Arterial-phase contrast-enhanced abdominal CT, axial slice 273 of 548 (counted from the lowest slice); tube voltage 120 kVp, convolution kernel I26f; slices 1.00 mm thick, 0.852 mm per pixel.
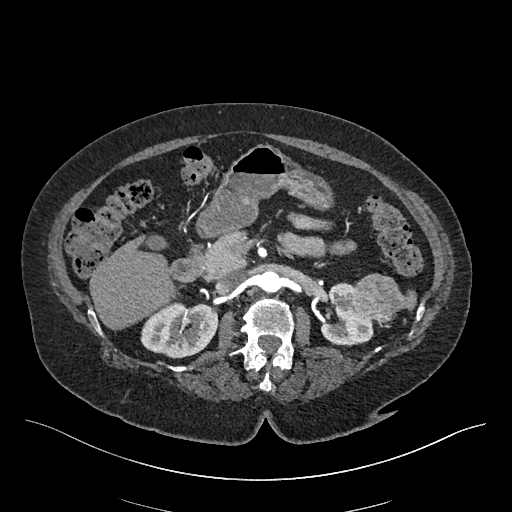
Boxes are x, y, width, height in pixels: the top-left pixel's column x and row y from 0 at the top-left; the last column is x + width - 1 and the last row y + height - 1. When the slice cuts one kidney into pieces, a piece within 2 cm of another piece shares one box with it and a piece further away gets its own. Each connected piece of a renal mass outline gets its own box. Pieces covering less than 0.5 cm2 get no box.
Boxed on this slice (two kidney boxes and one renal mass box), listed by box centre from the image's left to its right: (1) Box x 140, y 302, width 79, height 57: right kidney (outlined area 3,370 px, about 24.4 cm2). (2) Box x 320, y 282, width 54, height 65: left kidney (outlined area 2,064 px, about 15.0 cm2). (3) Left renal mass, box x 350, y 273, width 54, height 55 (outlined area 2,106 px, about 15.3 cm2).